Abdominal CT with intravenous contrast, arterial phase, axial plane, 100 kVp, kernel I40f. Slice 102/316 from the bottom of the scan; thickness 2.00 mm; pixel size 0.840 mm.
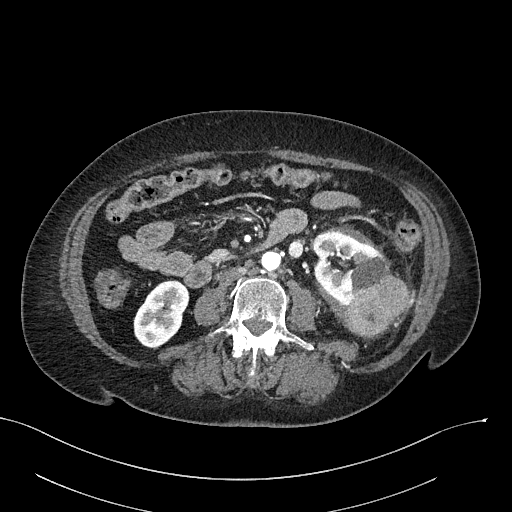
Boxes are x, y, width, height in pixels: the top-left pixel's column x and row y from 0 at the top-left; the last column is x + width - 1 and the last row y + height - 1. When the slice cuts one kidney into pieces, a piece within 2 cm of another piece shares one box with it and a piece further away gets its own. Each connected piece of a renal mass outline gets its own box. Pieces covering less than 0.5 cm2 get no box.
Two kidney boxes and one renal mass box on this slice; by box centre, from the image's left to its right: (1) Right kidney, box x 133, y 280, width 57, height 68 (outlined area 2,675 px, about 18.9 cm2). (2) Left kidney at x 313, y 231, width 78, height 77 (outlined area 3,346 px, about 23.6 cm2). (3) Box x 345, y 272, width 66, height 65: left renal mass (outlined area 2,881 px, about 20.3 cm2).